Axial slice 297 of 602 of a contrast-enhanced abdominal CT in the arterial phase (slice 1 is the lowest), 120 kVp, kernel I30f; 1.00 mm slice thickness and 0.799 mm pixels.
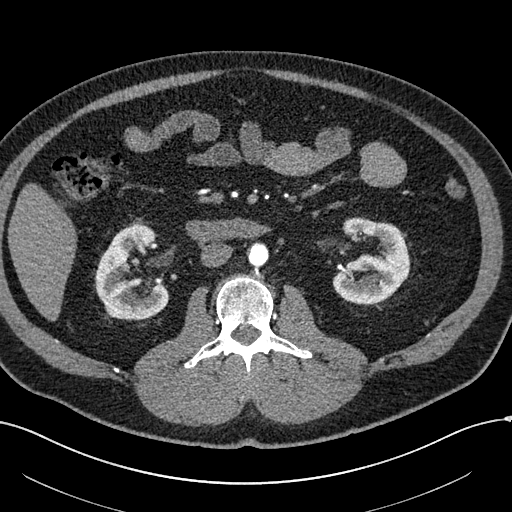
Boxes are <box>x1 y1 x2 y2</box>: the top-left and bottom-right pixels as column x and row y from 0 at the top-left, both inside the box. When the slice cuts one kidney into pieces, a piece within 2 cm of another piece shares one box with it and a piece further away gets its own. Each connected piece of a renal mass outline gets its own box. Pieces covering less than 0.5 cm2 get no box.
Two boxes on this slice (two kidney boxes), listed by box centre from the image's left to its right. (1) Right kidney at <box>94 221 169 320</box> (outlined area 4,937 px, about 31.5 cm2). (2) Left kidney: <box>332 217 409 304</box> (outlined area 4,707 px, about 30.0 cm2). This slice carries no renal mass outline.